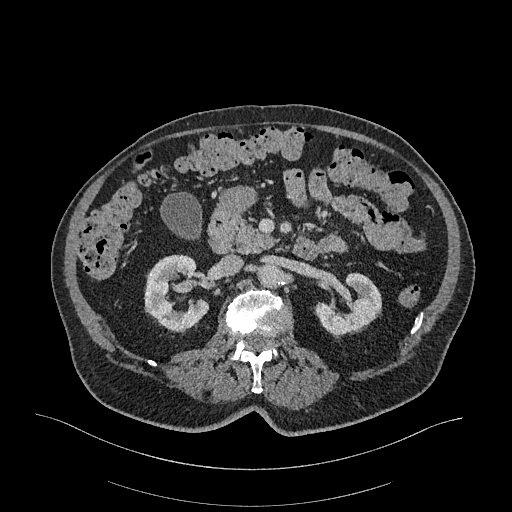
Abdominal CT with intravenous contrast, arterial phase, axial plane, 120 kVp, kernel I26f. Slice 175/470 from the bottom of the scan; thickness 1.00 mm; pixel size 0.938 mm.
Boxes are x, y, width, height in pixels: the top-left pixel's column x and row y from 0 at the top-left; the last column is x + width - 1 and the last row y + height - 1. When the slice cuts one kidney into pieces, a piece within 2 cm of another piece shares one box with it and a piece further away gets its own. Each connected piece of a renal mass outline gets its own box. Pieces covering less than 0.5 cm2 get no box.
Boxed on this slice (two kidney boxes), listed by box centre from the image's left to its right: (1) Right kidney at x 144, y 254, width 65, height 80 (outlined area 3,509 px, about 30.8 cm2). (2) Left kidney at x 314, y 272, width 68, height 67 (outlined area 2,752 px, about 24.2 cm2). No renal mass is outlined on this slice.